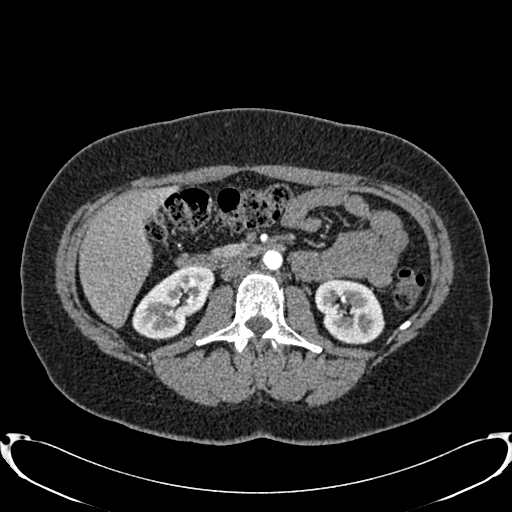
One axial slice (436 of 719, counting up from the lowest) of an arterial-phase abdominal CT acquired with 120 kVp, kernel B20f; each pixel is 0.766 mm and the slice is 1.00 mm thick.
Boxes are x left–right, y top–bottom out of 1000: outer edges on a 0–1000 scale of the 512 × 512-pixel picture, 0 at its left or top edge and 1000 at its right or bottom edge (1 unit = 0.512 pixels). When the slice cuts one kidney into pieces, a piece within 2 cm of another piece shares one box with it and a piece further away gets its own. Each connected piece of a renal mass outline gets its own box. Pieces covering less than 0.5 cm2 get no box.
Two kidney boxes on this slice; by box centre, from the image's left to its right: (1) Box x 258–418, y 518–666 out of 1000: right kidney (outlined area 3,861 px, about 22.6 cm2). (2) Left kidney at x 615–752, y 543–674 out of 1000 (outlined area 3,512 px, about 20.6 cm2). No renal mass is outlined on this slice.